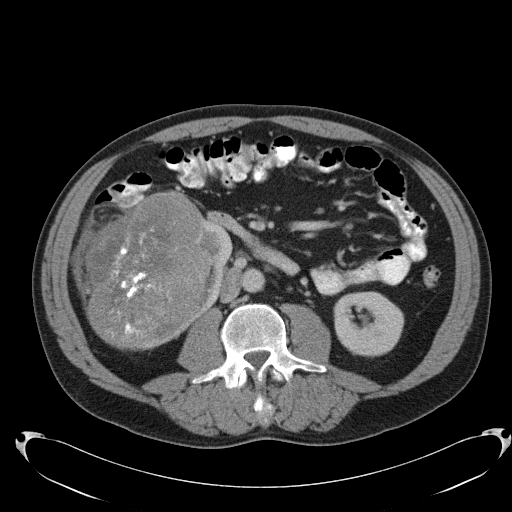
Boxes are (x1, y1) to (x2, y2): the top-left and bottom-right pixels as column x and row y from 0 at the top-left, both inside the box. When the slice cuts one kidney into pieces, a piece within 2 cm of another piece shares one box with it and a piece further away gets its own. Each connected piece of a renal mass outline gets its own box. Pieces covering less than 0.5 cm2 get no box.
Slice 58/103 of a contrast-enhanced abdominal CT, counting up from the lowest; pixel size 0.801 mm, slice thickness 5.00 mm. Three boxes on this slice (two kidney boxes and one renal mass box), listed by box centre from the image's left to its right. (1) Right renal mass from (78, 190) to (208, 350) (outlined area 16,229 px, about 104.1 cm2). (2) Right kidney from (200, 218) to (232, 317) (outlined area 1,608 px, about 10.3 cm2). (3) Box (333, 290) to (404, 357): left kidney (outlined area 3,751 px, about 24.1 cm2).
Tube voltage 120 kVp; convolution kernel B31f.